One axial slice (54 of 96, counting up from the lowest) of an arterial-phase abdominal CT acquired with 120 kVp, kernel I40f; each pixel is 0.840 mm and the slice is 5.00 mm thick.
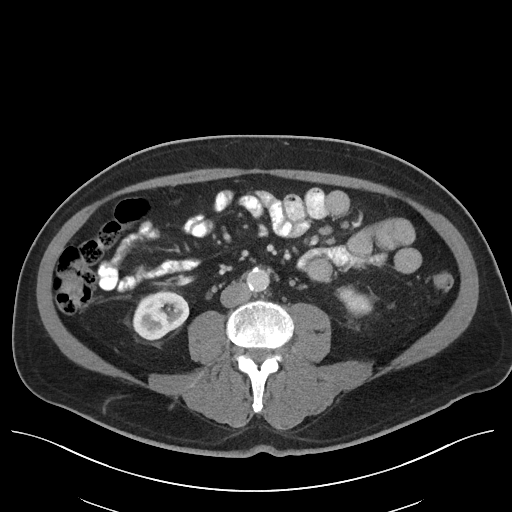
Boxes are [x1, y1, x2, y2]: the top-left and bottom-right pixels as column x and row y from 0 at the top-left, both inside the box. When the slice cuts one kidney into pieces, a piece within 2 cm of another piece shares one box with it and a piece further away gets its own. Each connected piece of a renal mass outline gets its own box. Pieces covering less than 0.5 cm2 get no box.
Two kidney boxes on this slice; by box centre, from the image's left to its right: (1) Right kidney at [132, 290, 189, 340] (outlined area 2,106 px, about 14.9 cm2). (2) Box [337, 287, 371, 315]: left kidney (outlined area 659 px, about 4.6 cm2). No renal mass outline on this slice.